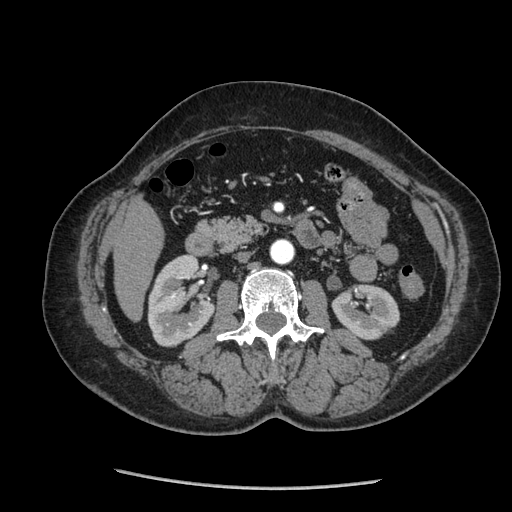
One axial slice (116 of 233, counting up from the lowest) of an arterial-phase abdominal CT acquired with 120 kVp, kernel STANDARD; each pixel is 0.703 mm and the slice is 1.25 mm thick.
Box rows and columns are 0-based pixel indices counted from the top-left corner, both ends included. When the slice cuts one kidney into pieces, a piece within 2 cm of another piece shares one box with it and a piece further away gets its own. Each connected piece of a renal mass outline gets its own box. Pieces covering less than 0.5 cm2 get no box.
Two kidney boxes on this slice; by box centre, from the image's left to its right: (1) Box rows 253–347, columns 147–216: right kidney (outlined area 4,557 px, about 22.5 cm2). (2) Left kidney, box rows 284–340, columns 331–399 (outlined area 2,803 px, about 13.9 cm2). No renal mass is outlined on this slice.